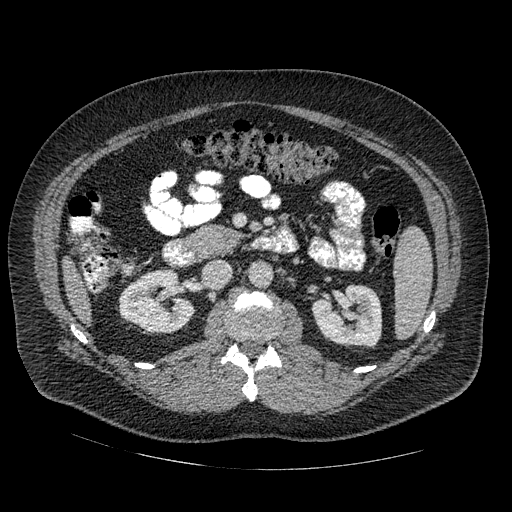
Abdominal CT with intravenous contrast, arterial phase, axial plane, 120 kVp, kernel STANDARD. Slice 279/445 from the bottom of the scan; thickness 1.25 mm; pixel size 0.863 mm.
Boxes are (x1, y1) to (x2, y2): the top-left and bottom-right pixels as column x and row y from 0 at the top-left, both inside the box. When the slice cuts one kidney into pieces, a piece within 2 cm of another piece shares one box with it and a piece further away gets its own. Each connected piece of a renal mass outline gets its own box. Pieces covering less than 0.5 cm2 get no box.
Boxed on this slice (two kidney boxes), listed by box centre from the image's left to its right: (1) Right kidney, box (119, 269) to (195, 333) (outlined area 3,597 px, about 26.8 cm2). (2) Box (311, 283) to (382, 347): left kidney (outlined area 3,476 px, about 25.9 cm2). No renal mass is outlined on this slice.